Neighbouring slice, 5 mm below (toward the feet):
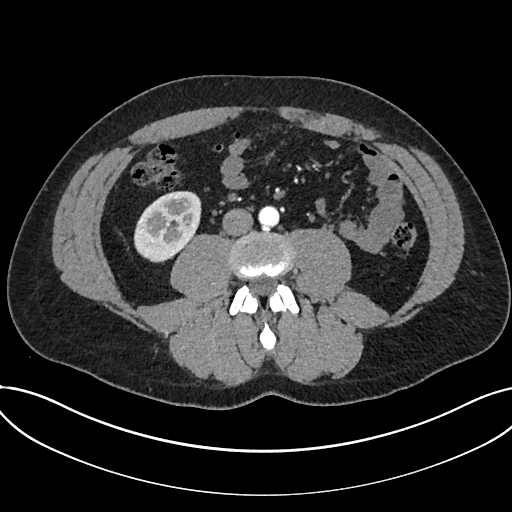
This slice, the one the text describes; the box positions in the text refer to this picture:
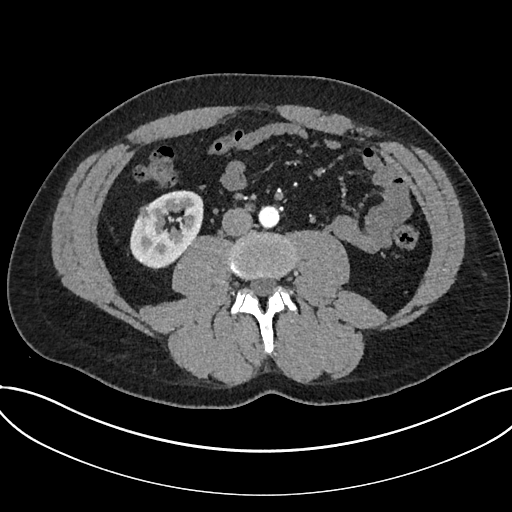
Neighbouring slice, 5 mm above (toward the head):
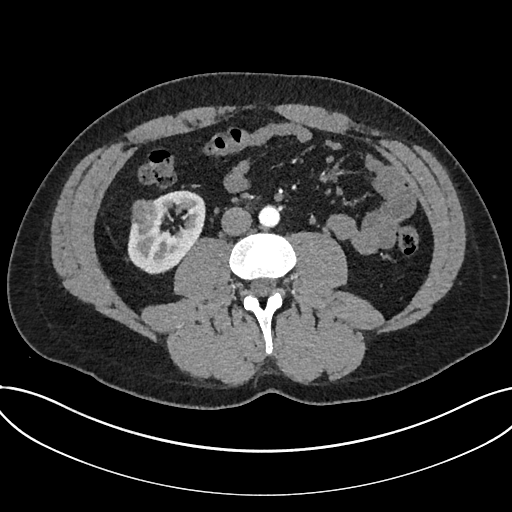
Axial slice 312 of 735 of a contrast-enhanced abdominal CT in the arterial phase (slice 1 is the lowest), 120 kVp, kernel I30f; 1.00 mm slice thickness and 0.789 mm pixels.
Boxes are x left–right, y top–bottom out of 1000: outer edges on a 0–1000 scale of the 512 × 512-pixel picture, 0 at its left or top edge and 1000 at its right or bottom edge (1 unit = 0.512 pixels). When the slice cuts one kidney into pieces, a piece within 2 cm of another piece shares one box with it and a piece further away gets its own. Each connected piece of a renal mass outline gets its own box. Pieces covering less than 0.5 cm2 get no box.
One kidney box and one renal mass box on this slice; by box centre, from the image's left to its right: (1) Box x 270–309, y 395–430 out of 1000: renal mass (outlined area 253 px, about 1.6 cm2). (2) Box x 254–398, y 371–525 out of 1000: kidney (outlined area 3,895 px, about 24.3 cm2). This slice lies near the end of a renal mass toward the feet; the slices 5 mm below and 5 mm above it are shown too, and the boxes mark positions on this slice only.